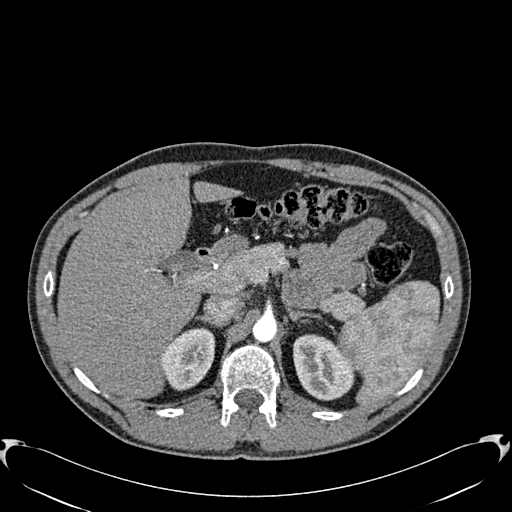
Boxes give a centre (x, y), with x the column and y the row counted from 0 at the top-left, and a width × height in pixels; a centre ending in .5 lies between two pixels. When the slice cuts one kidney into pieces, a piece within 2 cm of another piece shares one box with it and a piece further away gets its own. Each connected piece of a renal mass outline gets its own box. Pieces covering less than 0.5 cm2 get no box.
Arterial-phase contrast-enhanced abdominal CT, axial slice 427 of 512 (counted from the lowest slice); 1.00 mm thick, 0.771 mm per pixel. Boxed on this slice (two kidney boxes and one renal mass box), listed by box centre from the image's left to its right: (1) Right kidney, box centre (188, 359), 55 × 63 pixels (outlined area 2,302 px, about 13.7 cm2). (2) Right renal mass, box centre (206.5, 358.5), 16 × 20 pixels (outlined area 213 px, about 1.3 cm2). (3) Left kidney, box centre (323, 367), 61 × 67 pixels (outlined area 3,034 px, about 18.1 cm2).
Tube voltage 120 kVp; convolution kernel B30f.